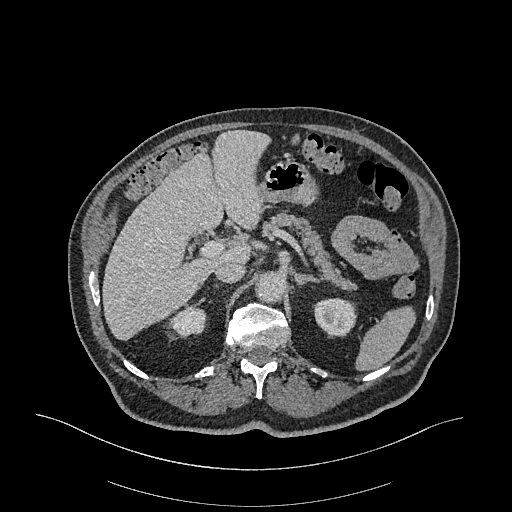
Abdominal CT with intravenous contrast, arterial phase, axial plane, 120 kVp, kernel I26f. Slice 241/470 from the bottom of the scan; thickness 1.00 mm; pixel size 0.938 mm.
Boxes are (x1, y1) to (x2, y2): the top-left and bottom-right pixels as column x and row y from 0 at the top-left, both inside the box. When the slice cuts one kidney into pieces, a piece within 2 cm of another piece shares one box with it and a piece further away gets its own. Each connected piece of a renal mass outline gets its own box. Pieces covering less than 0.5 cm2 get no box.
Two kidney boxes on this slice; by box centre, from the image's left to its right: (1) Right kidney from (170, 304) to (206, 338) (outlined area 904 px, about 7.9 cm2). (2) Left kidney from (313, 298) to (356, 335) (outlined area 1,343 px, about 11.8 cm2). This slice carries no renal mass outline.